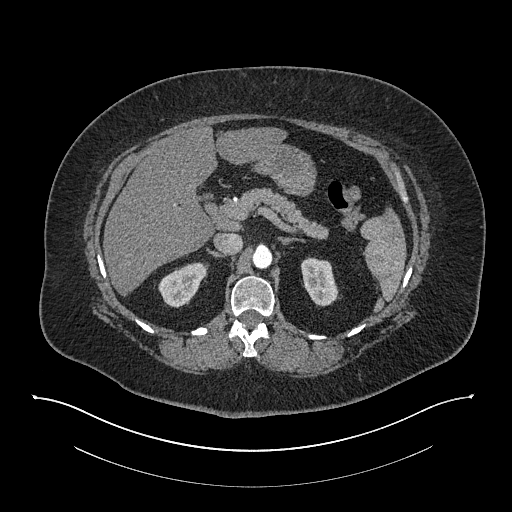
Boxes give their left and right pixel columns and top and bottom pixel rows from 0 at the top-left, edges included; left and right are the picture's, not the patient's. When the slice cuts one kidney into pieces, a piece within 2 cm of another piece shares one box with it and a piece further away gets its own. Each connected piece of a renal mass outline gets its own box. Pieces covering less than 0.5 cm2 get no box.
Slice 550/673 of a contrast-enhanced abdominal CT in the arterial phase, counting up from the lowest; pixel size 0.957 mm, slice thickness 1.00 mm. Boxed on this slice (two kidney boxes), listed by box centre from the image's left to its right: (1) Right kidney, the box with left 158, top 262, right 208, bottom 307 (outlined area 1,495 px, about 13.7 cm2). (2) Box with left 300, top 257, right 340, bottom 306: left kidney (outlined area 1,395 px, about 12.8 cm2). No renal mass is outlined on this slice.
Acquired at 140 kVp and reconstructed with the I30f kernel.